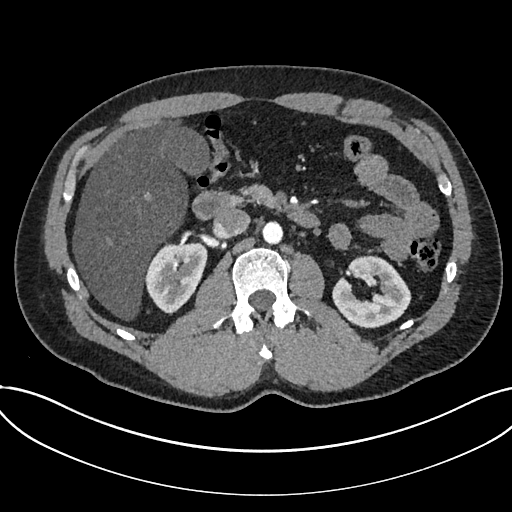
Abdominal CT with intravenous contrast, arterial phase, axial plane, 120 kVp, kernel I30f. Slice 429/735 from the bottom of the scan; thickness 1.00 mm; pixel size 0.789 mm.
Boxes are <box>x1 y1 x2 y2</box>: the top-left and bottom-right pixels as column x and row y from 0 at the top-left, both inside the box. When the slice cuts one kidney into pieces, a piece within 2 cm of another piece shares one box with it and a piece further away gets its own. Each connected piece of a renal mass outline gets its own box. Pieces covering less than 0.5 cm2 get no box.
Two boxes on this slice (two kidney boxes), listed by box centre from the image's left to its right. (1) At <box>145 243 207 314</box>: kidney (outlined area 3,236 px, about 20.1 cm2). (2) At <box>332 255 411 328</box>: kidney (outlined area 3,877 px, about 24.1 cm2). This slice carries no renal mass outline.